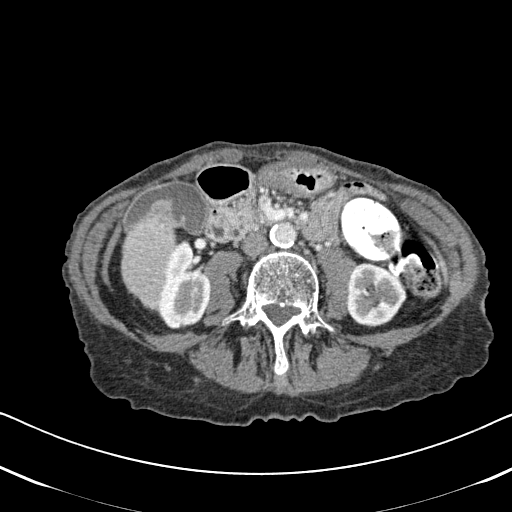
Arterial-phase contrast-enhanced abdominal CT, axial slice 259 of 620 (counted from the lowest slice); tube voltage 120 kVp, convolution kernel B31f; slices 2.00 mm thick, 0.637 mm per pixel.
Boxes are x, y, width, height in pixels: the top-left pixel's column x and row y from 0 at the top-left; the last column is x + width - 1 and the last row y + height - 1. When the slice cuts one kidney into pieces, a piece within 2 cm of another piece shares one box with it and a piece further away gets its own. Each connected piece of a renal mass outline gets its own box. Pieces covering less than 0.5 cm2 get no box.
Two kidney boxes on this slice; by box centre, from the image's left to its right: (1) Box x 158, y 239, width 53, height 91: right kidney (outlined area 3,509 px, about 14.2 cm2). (2) Left kidney at x 346, y 262, width 61, height 66 (outlined area 3,027 px, about 12.3 cm2). No renal mass outline on this slice.